Arterial-phase contrast-enhanced abdominal CT, axial slice 46 of 270 (counted from the lowest slice); tube voltage 100 kVp, convolution kernel I40f; slices 2.00 mm thick, 0.855 mm per pixel.
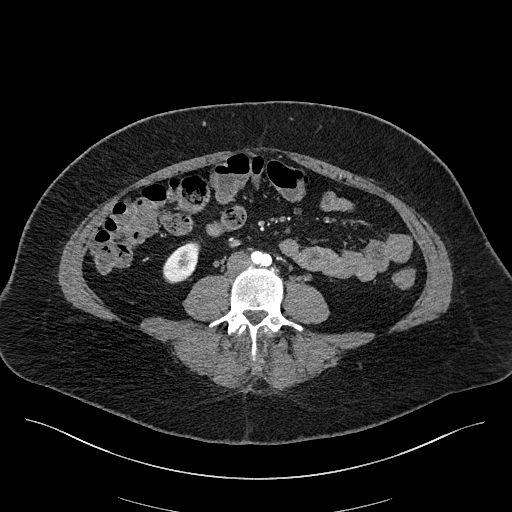
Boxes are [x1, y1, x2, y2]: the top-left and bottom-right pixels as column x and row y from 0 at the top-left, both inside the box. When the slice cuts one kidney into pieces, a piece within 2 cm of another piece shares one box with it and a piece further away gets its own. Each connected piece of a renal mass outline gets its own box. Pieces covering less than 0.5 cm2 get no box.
Right kidney at [162, 242, 200, 283] (outlined area 1,088 px, about 8.0 cm2). This slice carries no renal mass outline.